Arterial-phase contrast-enhanced abdominal CT, axial slice 51 of 88 (counted from the lowest slice); tube voltage 120 kVp, convolution kernel B41f; slices 5.00 mm thick, 0.723 mm per pixel.
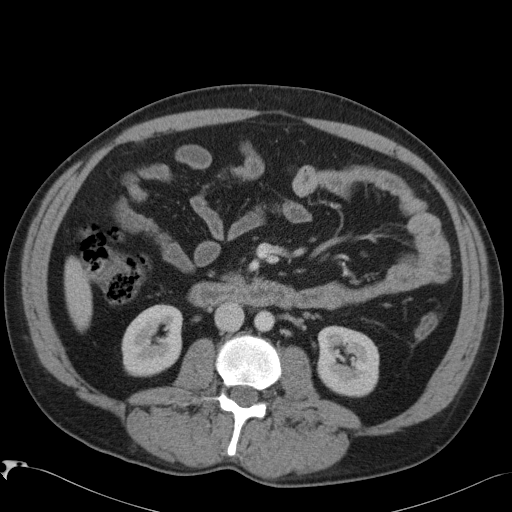
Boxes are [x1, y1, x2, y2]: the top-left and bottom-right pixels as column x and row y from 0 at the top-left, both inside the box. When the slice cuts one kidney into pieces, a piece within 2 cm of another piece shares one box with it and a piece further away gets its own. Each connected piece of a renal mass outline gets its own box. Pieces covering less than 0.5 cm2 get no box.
Two boxes on this slice (two kidney boxes), listed by box centre from the image's left to its right. (1) Box [121, 304, 182, 376]: right kidney (outlined area 3,528 px, about 18.4 cm2). (2) Left kidney, box [317, 325, 379, 397] (outlined area 3,703 px, about 19.3 cm2). This slice carries no renal mass outline.